Axial slice 114 of 325 of a contrast-enhanced abdominal CT in the arterial phase (slice 1 is the lowest), 100 kVp, kernel I30f; 1.00 mm slice thickness and 0.703 mm pixels.
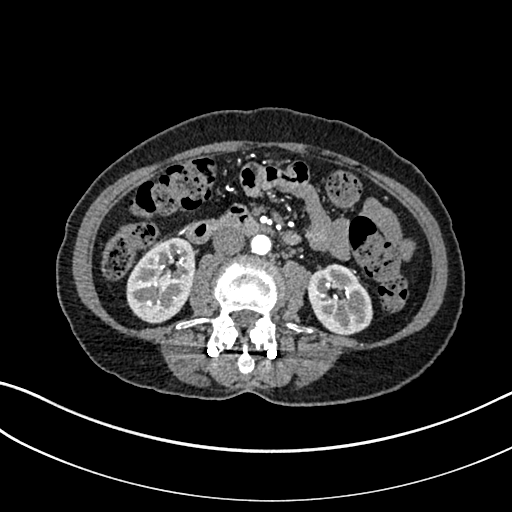
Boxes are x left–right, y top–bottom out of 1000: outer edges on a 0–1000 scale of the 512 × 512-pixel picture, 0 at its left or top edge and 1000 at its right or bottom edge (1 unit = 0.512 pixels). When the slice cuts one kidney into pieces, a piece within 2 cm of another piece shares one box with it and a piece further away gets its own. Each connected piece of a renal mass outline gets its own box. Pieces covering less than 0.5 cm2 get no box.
Two boxes on this slice (two kidney boxes), listed by box centre from the image's left to its right. (1) Right kidney, box x 246–385, y 461–633 out of 1000 (outlined area 4,507 px, about 22.3 cm2). (2) Left kidney at x 602–730, y 516–654 out of 1000 (outlined area 3,461 px, about 17.1 cm2). No renal mass is outlined on this slice.